One axial slice (64 of 84, counting up from the lowest) of a contrast-enhanced abdominal CT acquired with 140 kVp, kernel STANDARD; each pixel is 0.717 mm and the slice is 5.00 mm thick.
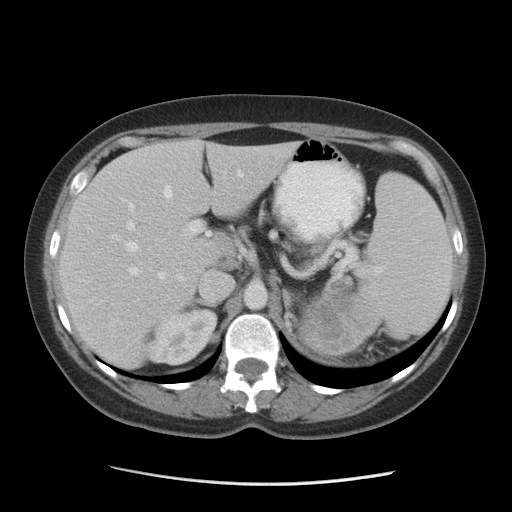
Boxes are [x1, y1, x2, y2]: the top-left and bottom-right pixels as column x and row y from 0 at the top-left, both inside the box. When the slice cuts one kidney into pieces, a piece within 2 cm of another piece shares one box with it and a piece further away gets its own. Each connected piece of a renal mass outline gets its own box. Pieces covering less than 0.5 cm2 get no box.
Two boxes on this slice (two kidney boxes), listed by box centre from the image's left to its right. (1) Right kidney at [145, 309, 217, 365] (outlined area 3,045 px, about 15.6 cm2). (2) Left kidney, box [299, 291, 381, 355] (outlined area 4,094 px, about 21.0 cm2). This slice carries no renal mass outline.